Abdominal CT with intravenous contrast, arterial phase, axial plane, 120 kVp, kernel I31f. Slice 156/345 from the bottom of the scan; thickness 2.00 mm; pixel size 0.977 mm.
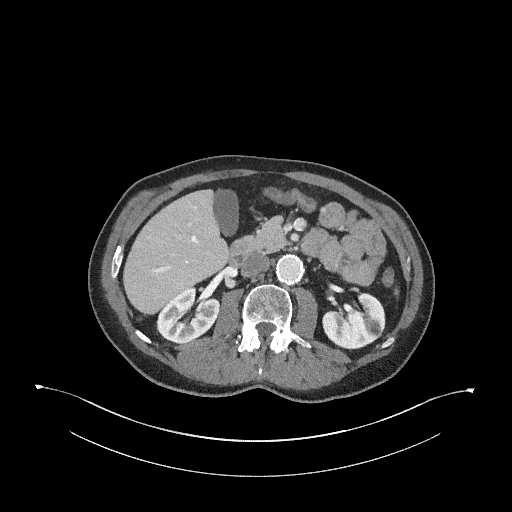
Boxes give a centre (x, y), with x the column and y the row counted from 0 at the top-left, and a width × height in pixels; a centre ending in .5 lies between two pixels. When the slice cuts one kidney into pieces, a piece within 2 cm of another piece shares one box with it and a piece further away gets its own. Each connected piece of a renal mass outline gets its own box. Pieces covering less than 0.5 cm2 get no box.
Boxed on this slice (two kidney boxes), listed by box centre from the image's left to its right: (1) Box centre (188, 315.5), 65 × 60 pixels: right kidney (outlined area 2,595 px, about 24.7 cm2). (2) Left kidney, box centre (353.5, 319.5), 64 × 60 pixels (outlined area 2,687 px, about 25.6 cm2). No renal mass is outlined on this slice.